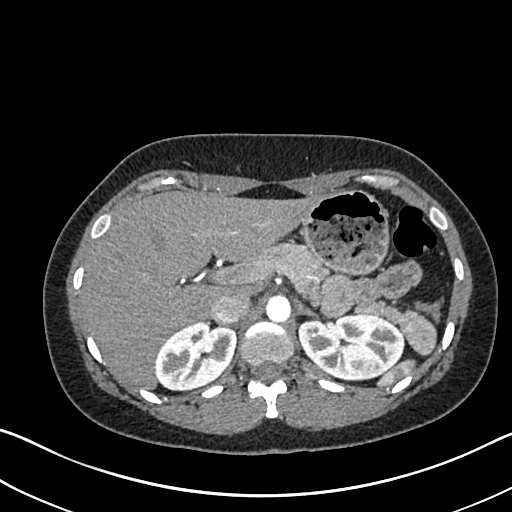
Arterial-phase contrast-enhanced abdominal CT, axial slice 494 of 612 (counted from the lowest slice); tube voltage 120 kVp, convolution kernel I30f; slices 1.00 mm thick, 0.703 mm per pixel.
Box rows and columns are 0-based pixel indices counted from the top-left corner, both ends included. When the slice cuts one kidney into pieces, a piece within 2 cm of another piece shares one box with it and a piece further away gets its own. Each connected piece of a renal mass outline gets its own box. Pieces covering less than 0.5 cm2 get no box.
Boxed on this slice (two kidney boxes), listed by box centre from the image's left to its right: (1) Right kidney, box rows 321–389, columns 155–236 (outlined area 4,164 px, about 20.6 cm2). (2) Left kidney at rows 312–380, columns 298–404 (outlined area 5,624 px, about 27.8 cm2). No renal mass is outlined on this slice.